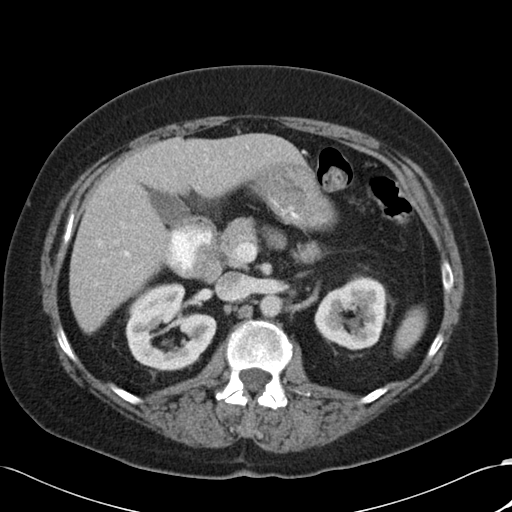
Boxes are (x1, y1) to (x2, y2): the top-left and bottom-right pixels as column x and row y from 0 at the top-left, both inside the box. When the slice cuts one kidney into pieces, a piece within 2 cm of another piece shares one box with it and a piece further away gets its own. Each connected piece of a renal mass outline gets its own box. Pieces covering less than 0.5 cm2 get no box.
Slice 65/88 of a contrast-enhanced abdominal CT in the arterial phase, counting up from the lowest; pixel size 0.691 mm, slice thickness 5.00 mm. Two kidney boxes on this slice; by box centre, from the image's left to its right: (1) Box (125, 282) to (216, 371): right kidney (outlined area 5,631 px, about 26.9 cm2). (2) Box (314, 278) to (387, 350): left kidney (outlined area 3,989 px, about 19.1 cm2). No renal mass outline on this slice.
Tube voltage 120 kVp; convolution kernel B30f.